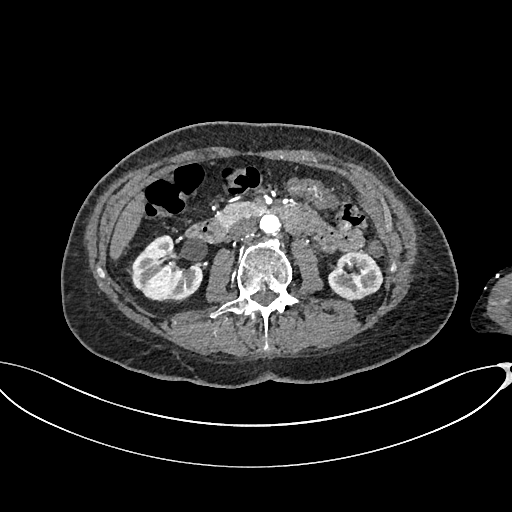
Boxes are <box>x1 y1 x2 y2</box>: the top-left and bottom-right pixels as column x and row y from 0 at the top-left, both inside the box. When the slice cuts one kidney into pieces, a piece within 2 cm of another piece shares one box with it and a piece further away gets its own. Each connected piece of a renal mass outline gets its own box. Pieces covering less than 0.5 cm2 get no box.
Arterial-phase contrast-enhanced abdominal CT, axial slice 364 of 665 (counted from the lowest slice); 1.00 mm thick, 0.828 mm per pixel. Two kidney boxes on this slice; by box centre, from the image's left to its right: (1) Right kidney at <box>127 235 203 302</box> (outlined area 3,389 px, about 23.2 cm2). (2) At <box>328 252 383 300</box>: left kidney (outlined area 2,070 px, about 14.2 cm2). This slice carries no renal mass outline.
Tube voltage 100 kVp; convolution kernel I26f.